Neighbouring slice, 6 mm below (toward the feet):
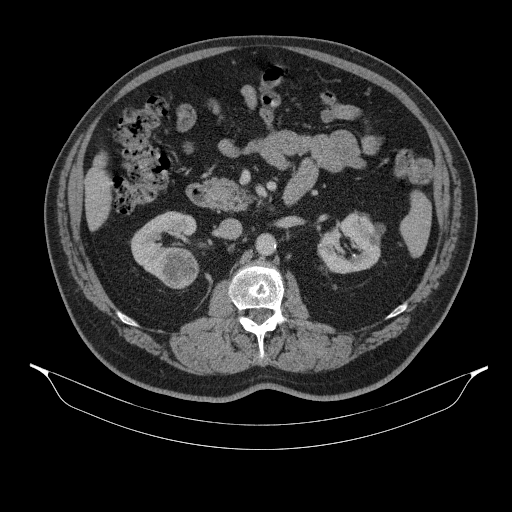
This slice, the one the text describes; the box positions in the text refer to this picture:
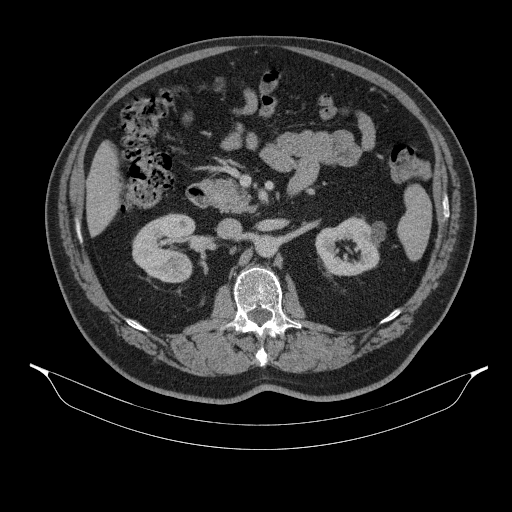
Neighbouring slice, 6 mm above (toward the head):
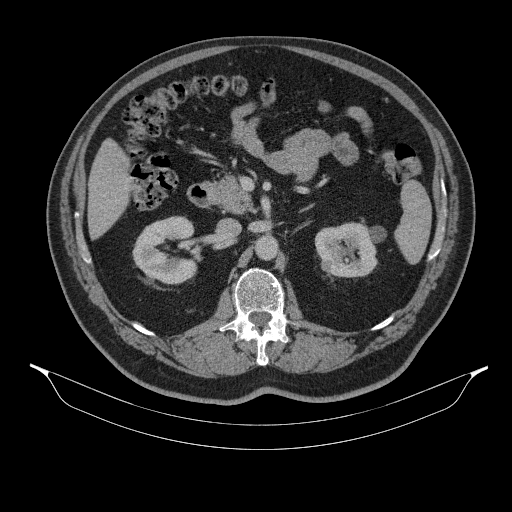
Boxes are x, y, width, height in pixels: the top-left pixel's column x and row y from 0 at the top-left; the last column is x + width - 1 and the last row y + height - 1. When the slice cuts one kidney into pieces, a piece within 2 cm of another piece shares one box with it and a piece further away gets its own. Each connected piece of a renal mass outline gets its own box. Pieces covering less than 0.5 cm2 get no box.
This is axial slice 205 of 314 (slice 1 is the lowest) of an abdominal CT with contrast; each pixel is 0.934 mm and the slice is 2.50 mm thick. Two kidney boxes and one renal mass box on this slice; by box centre, from the image's left to its right: (1) Box x 132, y 213, width 65, height 71: right kidney (outlined area 3,080 px, about 26.8 cm2). (2) Right renal mass, box x 164, y 254, width 23, height 21 (outlined area 379 px, about 3.3 cm2). (3) Left kidney, box x 315, y 216, width 71, height 60 (outlined area 2,930 px, about 25.5 cm2). This slice lies near the end of the right renal mass toward the head; the slices 6 mm below and 6 mm above it are shown too, and the boxes mark positions on this slice only.
Scan settings: 130 kVp, B31s reconstruction kernel.